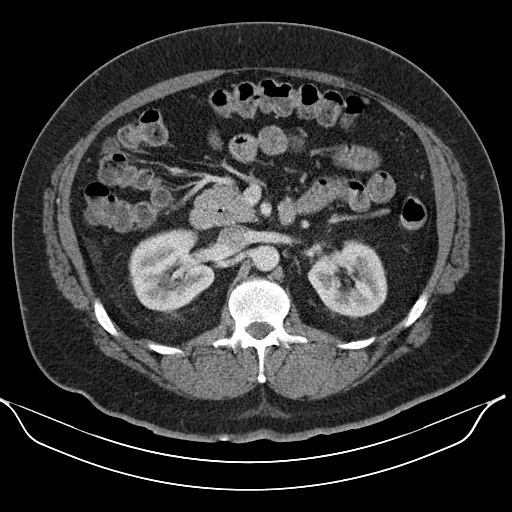
One axial slice (72 of 110, counting up from the lowest) of an arterial-phase abdominal CT acquired with 130 kVp, kernel B30s; each pixel is 0.836 mm and the slice is 5.00 mm thick.
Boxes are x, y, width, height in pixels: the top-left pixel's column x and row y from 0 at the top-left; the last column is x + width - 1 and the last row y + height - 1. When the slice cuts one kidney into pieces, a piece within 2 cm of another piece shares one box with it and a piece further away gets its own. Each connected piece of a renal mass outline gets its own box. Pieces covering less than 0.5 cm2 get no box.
Two boxes on this slice (two kidney boxes), listed by box centre from the image's left to its right. (1) Box x 128, y 228, width 87, height 84: right kidney (outlined area 5,408 px, about 37.8 cm2). (2) Left kidney, box x 307, y 240, width 81, height 79 (outlined area 4,475 px, about 31.3 cm2). No renal mass is outlined on this slice.